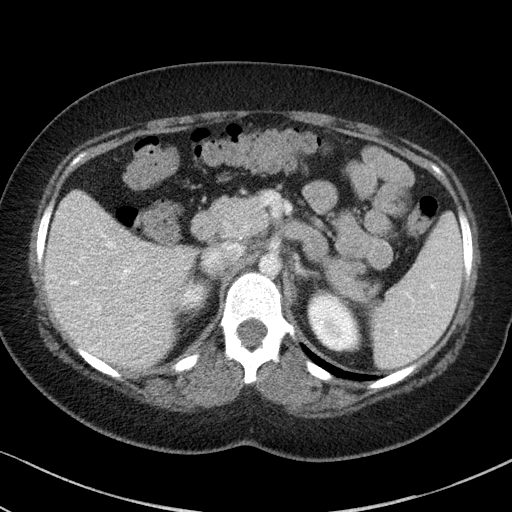
Axial slice 62 of 85 of a contrast-enhanced abdominal CT in the arterial phase (slice 1 is the lowest), 100 kVp, kernel I41f; 5.00 mm slice thickness and 0.664 mm pixels.
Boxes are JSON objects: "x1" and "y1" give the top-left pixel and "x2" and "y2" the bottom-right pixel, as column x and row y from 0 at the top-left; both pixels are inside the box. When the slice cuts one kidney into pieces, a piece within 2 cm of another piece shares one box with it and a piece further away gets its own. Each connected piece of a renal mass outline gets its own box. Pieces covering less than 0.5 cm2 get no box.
Boxed on this slice (two kidney boxes), listed by box centre from the image's left to its right: (1) Box {"x1": 182, "y1": 287, "x2": 205, "y2": 308}: right kidney (outlined area 422 px, about 1.9 cm2). (2) Left kidney at {"x1": 307, "y1": 291, "x2": 358, "y2": 351} (outlined area 2,315 px, about 10.2 cm2). This slice carries no renal mass outline.